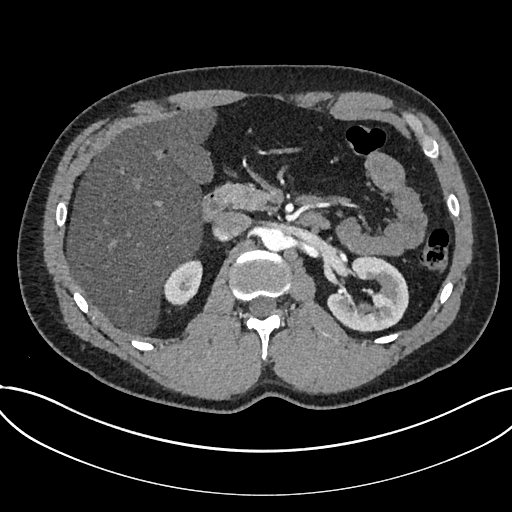
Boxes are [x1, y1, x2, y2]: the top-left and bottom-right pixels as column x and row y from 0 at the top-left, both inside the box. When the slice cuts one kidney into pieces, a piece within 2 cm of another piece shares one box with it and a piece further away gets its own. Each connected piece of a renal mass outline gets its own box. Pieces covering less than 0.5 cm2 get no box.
This is axial slice 460 of 735 (slice 1 is the lowest) of an arterial-phase abdominal CT with contrast; each pixel is 0.789 mm and the slice is 1.00 mm thick. Two boxes on this slice (two kidney boxes), listed by box centre from the image's left to its right. (1) Kidney, box [162, 259, 202, 306] (outlined area 1,347 px, about 8.4 cm2). (2) Box [327, 256, 408, 332]: kidney (outlined area 4,157 px, about 25.9 cm2). No renal mass is outlined on this slice.
Tube voltage 120 kVp; convolution kernel I30f.